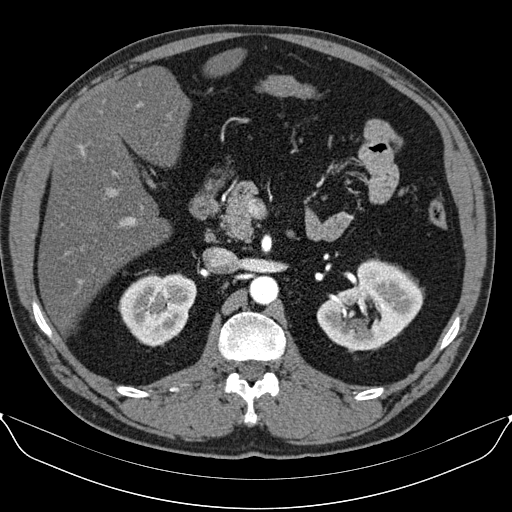
Abdominal CT with intravenous contrast, arterial phase, axial plane, 130 kVp, kernel B30s. Slice 62/96 from the bottom of the scan; thickness 3.00 mm; pixel size 0.781 mm.
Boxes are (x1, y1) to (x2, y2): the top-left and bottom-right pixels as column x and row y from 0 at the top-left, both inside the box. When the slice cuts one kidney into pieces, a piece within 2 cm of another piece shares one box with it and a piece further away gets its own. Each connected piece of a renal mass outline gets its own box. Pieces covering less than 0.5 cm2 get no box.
Two boxes on this slice (two kidney boxes), listed by box centre from the image's left to its right. (1) Right kidney from (118, 272) to (196, 346) (outlined area 4,268 px, about 26.0 cm2). (2) Left kidney, box (316, 258) to (424, 352) (outlined area 6,395 px, about 39.0 cm2). No renal mass is outlined on this slice.